One axial slice (490 of 673, counting up from the lowest) of an arterial-phase abdominal CT acquired with 140 kVp, kernel I30f; each pixel is 0.957 mm and the slice is 1.00 mm thick.
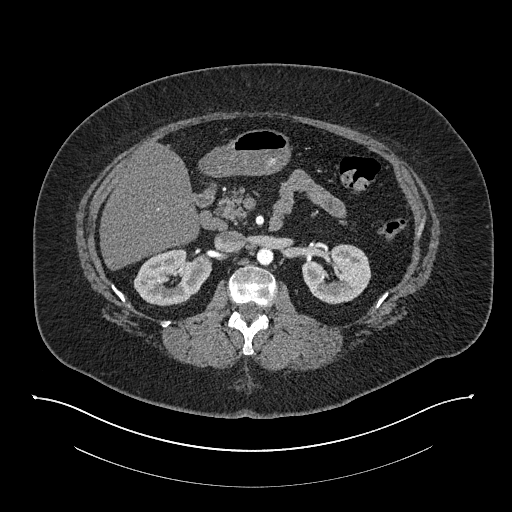
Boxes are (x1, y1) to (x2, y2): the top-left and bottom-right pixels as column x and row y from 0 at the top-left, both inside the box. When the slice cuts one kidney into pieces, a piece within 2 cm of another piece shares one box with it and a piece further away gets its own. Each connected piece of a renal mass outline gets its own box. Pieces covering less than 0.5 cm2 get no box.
Two kidney boxes on this slice; by box centre, from the image's left to its right: (1) Right kidney from (133, 247) to (211, 306) (outlined area 3,264 px, about 29.9 cm2). (2) Box (302, 244) to (371, 304): left kidney (outlined area 2,996 px, about 27.4 cm2). This slice carries no renal mass outline.